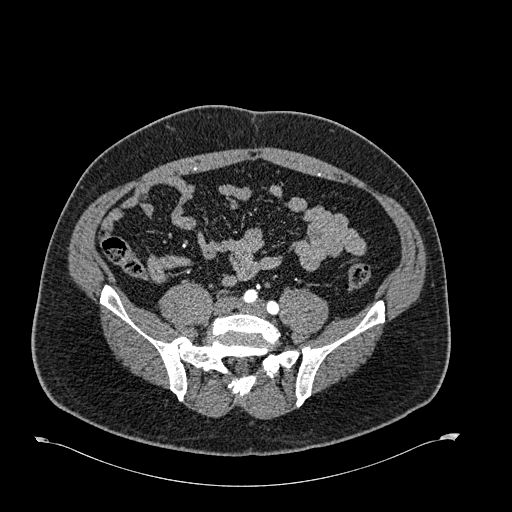
Abdominal CT with intravenous contrast, arterial phase, axial plane, 120 kVp, kernel B30f. Slice 149/723 from the bottom of the scan; thickness 1.00 mm; pixel size 0.895 mm.
Outside the outlined region: no kidney outline and no renal mass outline on this slice. The scan's outlines cover only kidneys and renal masses; no other organ is outlined.